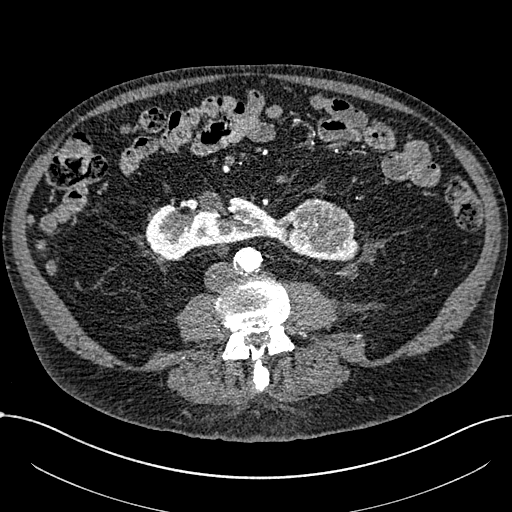
Abdominal CT with intravenous contrast, arterial phase, axial plane, 100 kVp, kernel I30f. Slice 282/1059 from the bottom of the scan; thickness 1.00 mm; pixel size 0.811 mm.
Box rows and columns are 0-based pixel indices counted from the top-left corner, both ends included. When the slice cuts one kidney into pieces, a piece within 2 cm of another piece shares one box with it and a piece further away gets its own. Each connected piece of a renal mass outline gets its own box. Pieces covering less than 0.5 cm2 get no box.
Boxed on this slice (one kidney box and one renal mass box), listed by box centre from the image's left to its right: (1) Kidney crossing the body midline, box rows 196–261, columns 145–358 (outlined area 7,098 px, about 46.6 cm2). (2) Renal mass at rows 198–253, columns 296–353 (outlined area 2,382 px, about 15.6 cm2).